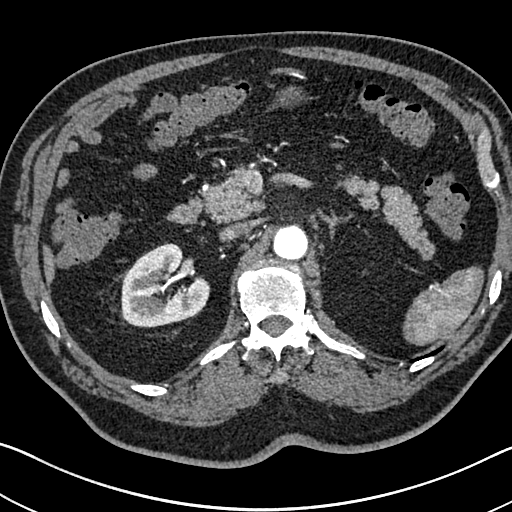
One axial slice (479 of 705, counting up from the lowest) of an arterial-phase abdominal CT acquired with 120 kVp, kernel I30f; each pixel is 0.703 mm and the slice is 1.00 mm thick.
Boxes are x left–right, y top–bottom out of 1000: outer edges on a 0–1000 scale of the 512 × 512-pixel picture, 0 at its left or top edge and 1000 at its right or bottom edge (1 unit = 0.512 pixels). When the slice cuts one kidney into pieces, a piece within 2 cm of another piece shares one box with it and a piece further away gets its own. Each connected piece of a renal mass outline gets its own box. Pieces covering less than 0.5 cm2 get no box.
Right kidney at x 236–410, y 473–641 out of 1000 (outlined area 5,438 px, about 26.9 cm2). No renal mass is outlined on this slice.